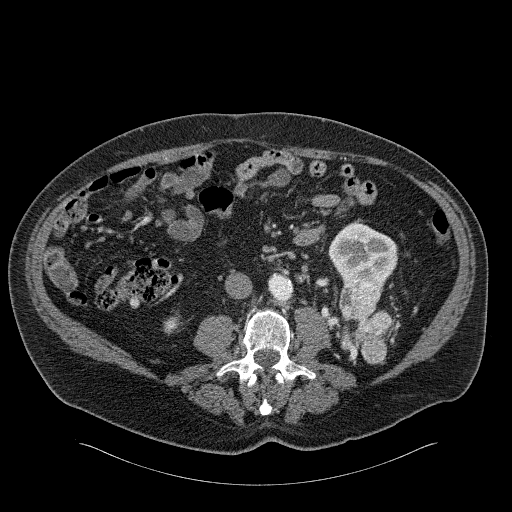
Abdominal CT with intravenous contrast, arterial phase, axial plane, 120 kVp, kernel B31f. Slice 77/326 from the bottom of the scan; thickness 2.00 mm; pixel size 0.963 mm.
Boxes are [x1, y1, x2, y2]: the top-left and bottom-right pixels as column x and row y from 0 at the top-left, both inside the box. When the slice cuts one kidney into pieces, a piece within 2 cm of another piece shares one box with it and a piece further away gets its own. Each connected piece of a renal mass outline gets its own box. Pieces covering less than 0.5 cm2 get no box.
Four boxes on this slice (two kidney boxes and two renal mass boxes), listed by box centre from the image's left to its right. (1) Box [163, 312, 182, 334]: right kidney (outlined area 247 px, about 2.3 cm2). (2) Left renal mass at [340, 337, 346, 350] (outlined area 75 px, about 0.7 cm2); here it is more than 1 cm from any kidney outline, though on another slice the same outlined renal mass lies within 1 cm of the kidney. (3) Left kidney, box [328, 222, 397, 290] (outlined area 3,095 px, about 28.7 cm2). (4) Left renal mass, box [339, 274, 391, 364] (outlined area 3,050 px, about 28.3 cm2).